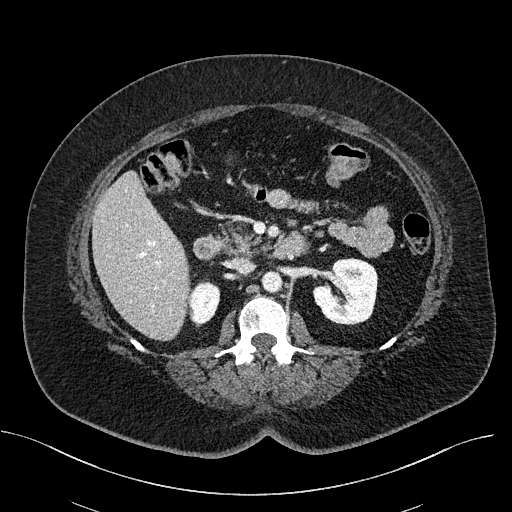
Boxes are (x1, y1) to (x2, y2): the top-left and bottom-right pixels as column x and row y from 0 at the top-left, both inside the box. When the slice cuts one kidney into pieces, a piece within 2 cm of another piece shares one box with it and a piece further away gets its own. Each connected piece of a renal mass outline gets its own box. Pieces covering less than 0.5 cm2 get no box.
This is axial slice 305 of 470 (slice 1 is the lowest) of an abdominal CT with contrast; each pixel is 0.824 mm and the slice is 2.00 mm thick. Boxed on this slice (two kidney boxes), listed by box centre from the image's left to its right: (1) Box (188, 280) to (220, 323): right kidney (outlined area 1,088 px, about 7.4 cm2). (2) Left kidney, box (312, 258) to (378, 324) (outlined area 3,369 px, about 22.9 cm2). No renal mass outline on this slice.
Acquired at 100 kVp and reconstructed with the I40f kernel.